Arterial-phase contrast-enhanced abdominal CT, axial slice 30 of 34 (counted from the lowest slice); tube voltage 120 kVp, convolution kernel B30f; slices 5.00 mm thick, 0.830 mm per pixel.
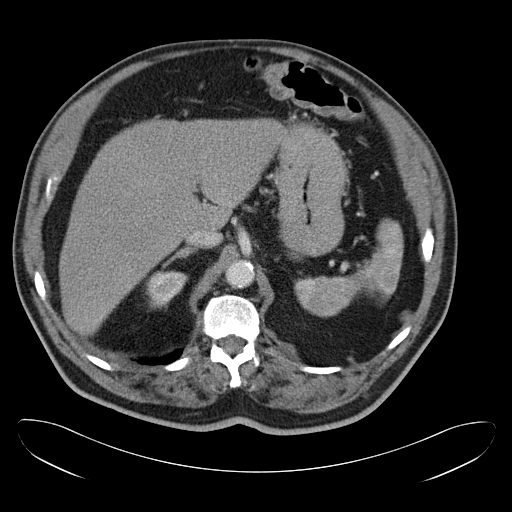
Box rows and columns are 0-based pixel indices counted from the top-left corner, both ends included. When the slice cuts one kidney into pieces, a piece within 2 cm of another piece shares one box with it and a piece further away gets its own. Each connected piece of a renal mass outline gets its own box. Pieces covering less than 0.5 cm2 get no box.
Right kidney at rows 270–308, columns 145–187 (outlined area 1,149 px, about 7.9 cm2). No renal mass is outlined on this slice.